Contrast-enhanced abdominal CT, axial slice 115 of 163 (counted from the lowest slice); tube voltage 100 kVp, convolution kernel I40f; slices 3.00 mm thick, 0.799 mm per pixel.
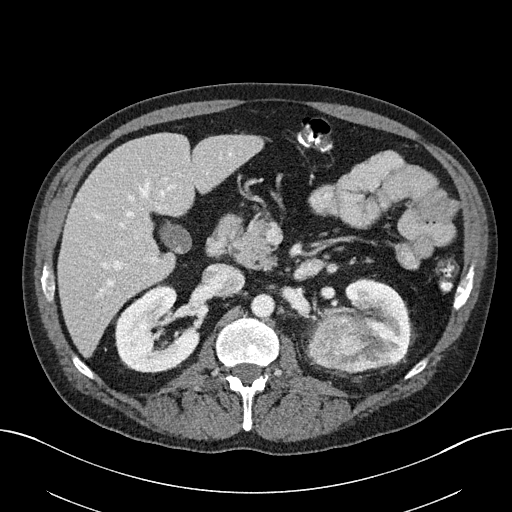
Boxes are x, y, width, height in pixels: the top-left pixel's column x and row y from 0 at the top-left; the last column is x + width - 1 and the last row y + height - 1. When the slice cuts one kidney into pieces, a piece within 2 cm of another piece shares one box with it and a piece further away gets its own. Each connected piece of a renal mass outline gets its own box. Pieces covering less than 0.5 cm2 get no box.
Boxed on this slice (two kidney boxes and one renal mass box), listed by box centre from the image's left to its right: (1) Right kidney at x 115, y 284, width 85, height 89 (outlined area 5,014 px, about 32.0 cm2). (2) Left renal mass, box x 310, y 316, width 50, height 51 (outlined area 1,897 px, about 12.1 cm2). (3) Left kidney at x 317, y 279, width 93, height 94 (outlined area 5,089 px, about 32.5 cm2).